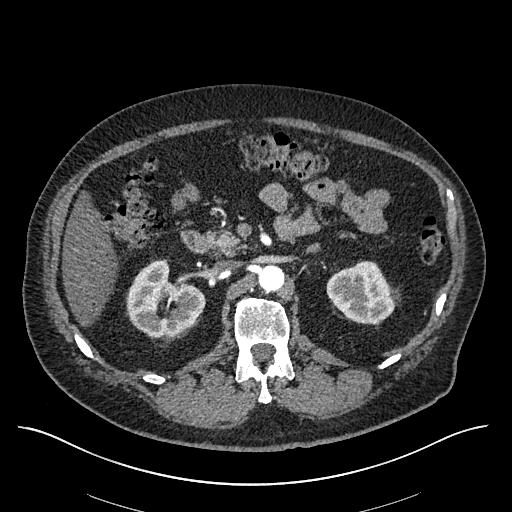
Abdominal CT with intravenous contrast, arterial phase, axial plane, 120 kVp, kernel I30f. Slice 366/670 from the bottom of the scan; thickness 1.00 mm; pixel size 0.861 mm.
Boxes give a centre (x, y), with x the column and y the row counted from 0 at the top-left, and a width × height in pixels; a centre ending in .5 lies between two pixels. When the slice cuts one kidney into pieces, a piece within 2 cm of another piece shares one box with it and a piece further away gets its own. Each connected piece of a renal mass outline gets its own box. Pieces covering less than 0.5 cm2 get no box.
Two kidney boxes on this slice; by box centre, from the image's left to its right: (1) Right kidney, box centre (165.5, 298), 80 × 81 pixels (outlined area 4,331 px, about 32.1 cm2). (2) Left kidney, box centre (363, 292), 75 × 65 pixels (outlined area 3,292 px, about 24.4 cm2). No renal mass is outlined on this slice.